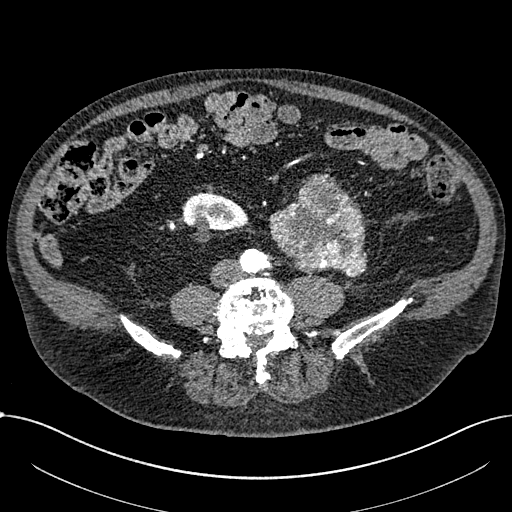
Abdominal CT with intravenous contrast, arterial phase, axial plane, 100 kVp, kernel I30f. Slice 222/1059 from the bottom of the scan; thickness 1.00 mm; pixel size 0.811 mm.
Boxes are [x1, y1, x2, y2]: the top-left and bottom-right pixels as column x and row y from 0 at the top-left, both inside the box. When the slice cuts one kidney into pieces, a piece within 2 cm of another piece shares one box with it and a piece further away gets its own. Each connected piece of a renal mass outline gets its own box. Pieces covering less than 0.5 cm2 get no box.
Boxed on this slice (one kidney box and one renal mass box), listed by box centre from the image's left to its right: (1) Right part of the midline-crossing kidney at [182, 193, 248, 242] (outlined area 2,142 px, about 14.1 cm2). (2) Box [269, 174, 366, 277]: renal mass (outlined area 7,080 px, about 46.5 cm2); here it is more than 1 cm from any kidney outline, though on another slice the same outlined renal mass lies within 1 cm of the kidney.